Abdominal CT with intravenous contrast, arterial phase, axial plane, 120 kVp, kernel I30f. Slice 376/683 from the bottom of the scan; thickness 1.00 mm; pixel size 0.738 mm.
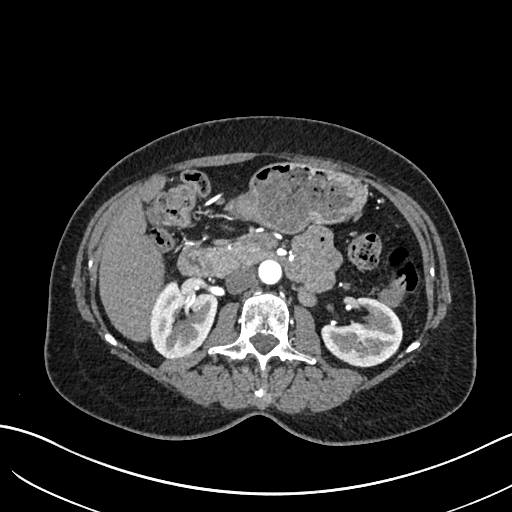
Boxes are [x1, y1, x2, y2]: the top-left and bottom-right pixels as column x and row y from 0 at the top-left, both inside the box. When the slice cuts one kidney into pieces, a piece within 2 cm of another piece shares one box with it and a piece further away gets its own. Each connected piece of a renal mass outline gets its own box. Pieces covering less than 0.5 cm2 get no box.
Boxed on this slice (two kidney boxes), listed by box centre from the image's left to its right: (1) Right kidney, box [149, 281, 217, 358] (outlined area 3,976 px, about 21.7 cm2). (2) Left kidney at [323, 296, 401, 366] (outlined area 3,783 px, about 20.6 cm2). No renal mass outline on this slice.